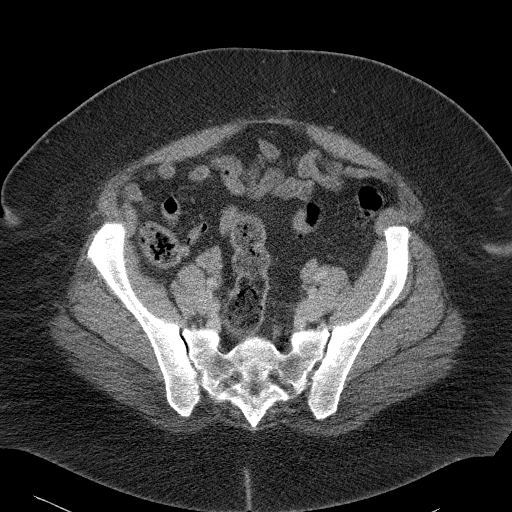
Axial slice 33 of 90 of a contrast-enhanced abdominal CT (slice 1 is the lowest), 120 kVp, kernel B41f; 5.00 mm slice thickness and 0.781 mm pixels.
Outside the outlined region: no kidney outline and no renal mass outline on this slice. The scan's outlines cover only kidneys and renal masses; no other organ is outlined.